One axial slice (283 of 665, counting up from the lowest) of an arterial-phase abdominal CT acquired with 100 kVp, kernel I26f; each pixel is 0.828 mm and the slice is 1.00 mm thick.
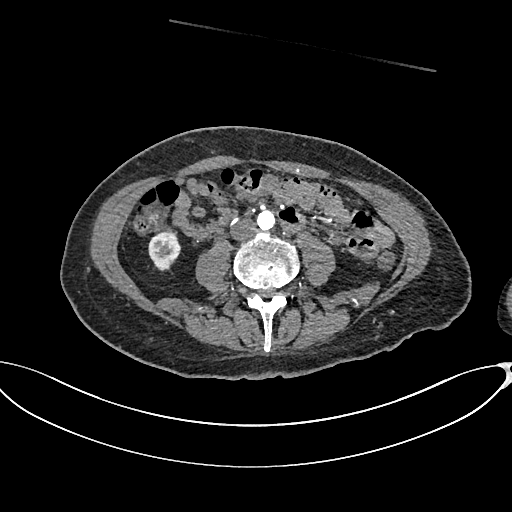
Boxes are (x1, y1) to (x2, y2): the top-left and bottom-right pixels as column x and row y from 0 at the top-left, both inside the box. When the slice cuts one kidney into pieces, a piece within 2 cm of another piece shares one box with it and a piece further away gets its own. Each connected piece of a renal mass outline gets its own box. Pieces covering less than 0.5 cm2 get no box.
Right kidney, box (148, 230) to (181, 271) (outlined area 1,009 px, about 6.9 cm2). This slice carries no renal mass outline.